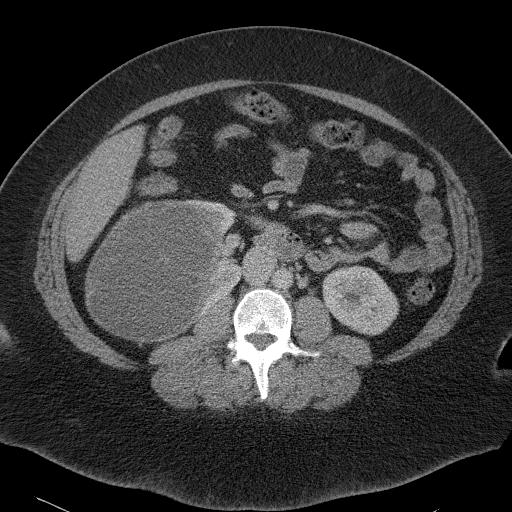
One axial slice (55 of 90, counting up from the lowest) of a contrast-enhanced abdominal CT acquired with 120 kVp, kernel B41f; each pixel is 0.781 mm and the slice is 5.00 mm thick.
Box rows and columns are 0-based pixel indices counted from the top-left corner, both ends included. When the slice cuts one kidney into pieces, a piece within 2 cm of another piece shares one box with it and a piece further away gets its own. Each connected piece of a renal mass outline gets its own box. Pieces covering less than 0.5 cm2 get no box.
Three boxes on this slice (two kidney boxes and one renal mass box), listed by box centre from the image's left to its right. (1) Right renal mass, box rows 200–345, columns 85–217 (outlined area 14,648 px, about 89.4 cm2). (2) Right kidney, box rows 199–317, columns 185–243 (outlined area 2,671 px, about 16.3 cm2). (3) Box rows 265–335, columns 322–399: left kidney (outlined area 3,981 px, about 24.3 cm2).